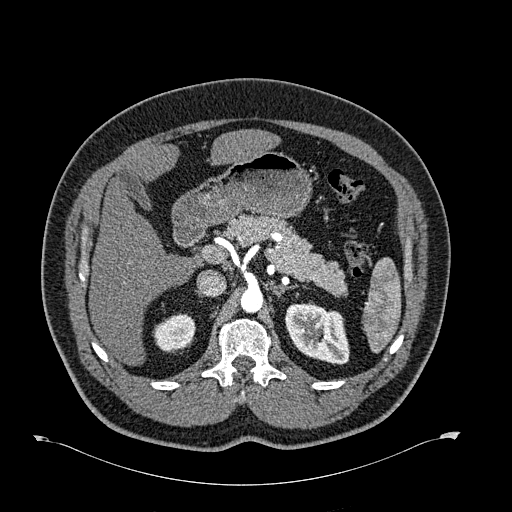
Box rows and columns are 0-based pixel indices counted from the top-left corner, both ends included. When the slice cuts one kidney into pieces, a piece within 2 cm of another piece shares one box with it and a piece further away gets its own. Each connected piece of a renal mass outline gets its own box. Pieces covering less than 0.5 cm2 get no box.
Slice 446/723 of a contrast-enhanced abdominal CT in the arterial phase, counting up from the lowest; pixel size 0.895 mm, slice thickness 1.00 mm. Two boxes on this slice (two kidney boxes), listed by box centre from the image's left to its right. (1) Right kidney at rows 313–352, columns 152–195 (outlined area 1,283 px, about 10.3 cm2). (2) Left kidney, box rows 301–364, columns 284–349 (outlined area 3,012 px, about 24.1 cm2). This slice carries no renal mass outline.
Scan settings: 120 kVp, B30f reconstruction kernel.